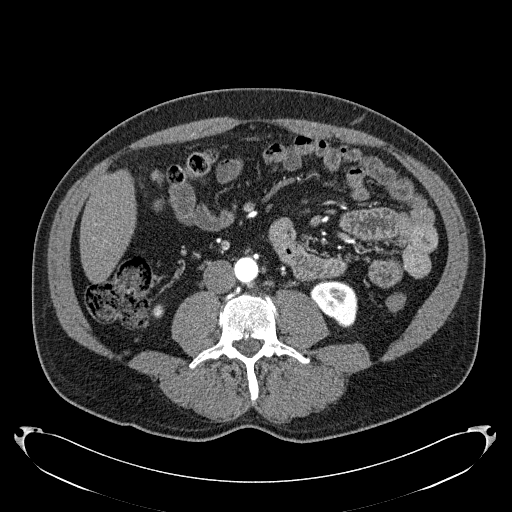
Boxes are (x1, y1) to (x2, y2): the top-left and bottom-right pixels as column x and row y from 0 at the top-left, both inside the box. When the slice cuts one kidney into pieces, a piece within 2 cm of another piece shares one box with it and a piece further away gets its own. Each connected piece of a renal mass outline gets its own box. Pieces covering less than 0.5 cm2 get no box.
Slice 70/279 of a contrast-enhanced abdominal CT in the arterial phase, counting up from the lowest; pixel size 0.824 mm, slice thickness 2.00 mm. Two kidney boxes on this slice; by box centre, from the image's left to its right: (1) Right kidney from (151, 304) to (163, 318) (outlined area 136 px, about 0.9 cm2). (2) Left kidney from (310, 279) to (357, 327) (outlined area 1,617 px, about 11.0 cm2). No renal mass is outlined on this slice.
Scan settings: 120 kVp, B31f reconstruction kernel.